Abdominal CT with intravenous contrast, arterial phase, axial plane, 120 kVp, kernel STANDARD. Slice 45/83 from the bottom of the scan; thickness 5.00 mm; pixel size 0.775 mm.
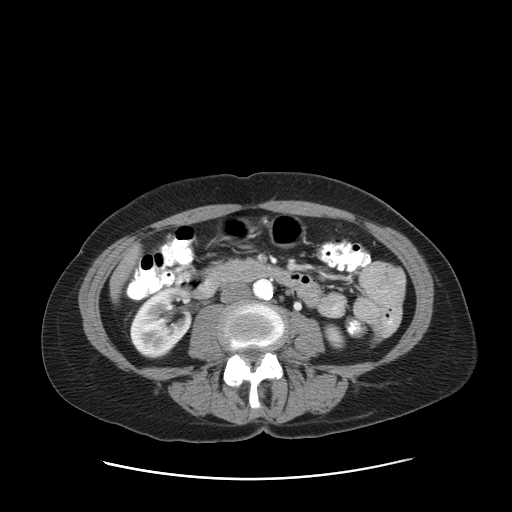
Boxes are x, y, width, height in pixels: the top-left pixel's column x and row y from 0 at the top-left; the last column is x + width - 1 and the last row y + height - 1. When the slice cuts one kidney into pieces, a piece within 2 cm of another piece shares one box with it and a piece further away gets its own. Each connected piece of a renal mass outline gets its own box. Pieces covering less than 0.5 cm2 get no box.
Boxed on this slice (two kidney boxes), listed by box centre from the image's left to its right: (1) Right kidney at x 130, y 287, width 64, height 72 (outlined area 3,282 px, about 19.7 cm2). (2) Box x 324, y 324, width 21, height 25: left kidney (outlined area 392 px, about 2.4 cm2). No renal mass is outlined on this slice.